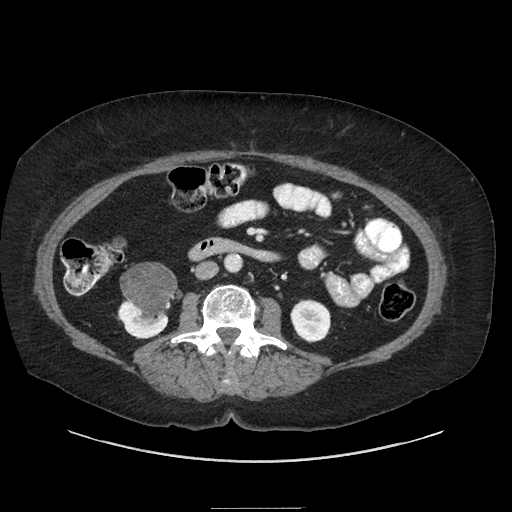
One axial slice (112 of 186, counting up from the lowest) of a contrast-enhanced abdominal CT acquired with 120 kVp, kernel STANDARD; each pixel is 0.850 mm and the slice is 2.50 mm thick.
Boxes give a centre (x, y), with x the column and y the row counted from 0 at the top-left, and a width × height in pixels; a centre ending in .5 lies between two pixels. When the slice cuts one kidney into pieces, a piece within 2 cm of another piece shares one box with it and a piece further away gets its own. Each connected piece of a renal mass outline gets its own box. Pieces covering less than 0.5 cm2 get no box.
Two kidney boxes and one renal mass box on this slice; by box centre, from the image's left to its right: (1) Box centre (142.5, 317.5), 52 × 42 pixels: right kidney (outlined area 1,052 px, about 7.6 cm2). (2) Box centre (151, 291.5), 63 × 60 pixels: right renal mass (outlined area 2,535 px, about 18.3 cm2). (3) Left kidney in a box with centre (310, 320.5), 41 × 44 pixels (outlined area 1,415 px, about 10.2 cm2).